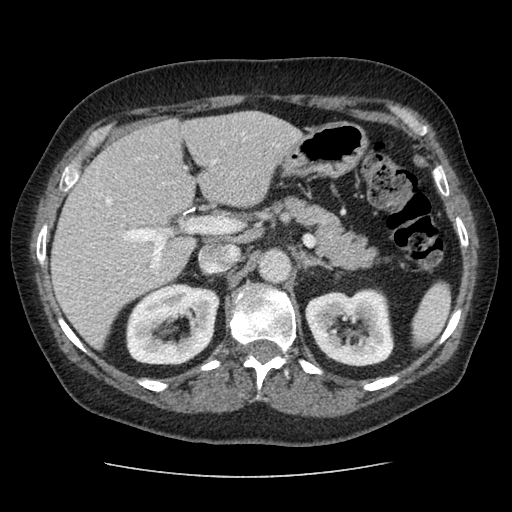
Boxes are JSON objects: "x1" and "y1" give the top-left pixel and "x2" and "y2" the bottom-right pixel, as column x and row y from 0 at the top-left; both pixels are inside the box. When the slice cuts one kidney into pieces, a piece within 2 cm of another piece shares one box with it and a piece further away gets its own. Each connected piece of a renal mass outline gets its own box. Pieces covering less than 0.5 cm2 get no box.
Slice 64/96 of a contrast-enhanced abdominal CT in the arterial phase, counting up from the lowest; pixel size 0.689 mm, slice thickness 2.50 mm. Two boxes on this slice (two kidney boxes), listed by box centre from the image's left to its right. (1) Right kidney, box {"x1": 125, "y1": 282, "x2": 219, "y2": 365} (outlined area 6,009 px, about 28.6 cm2). (2) Box {"x1": 305, "y1": 288, "x2": 394, "y2": 366}: left kidney (outlined area 5,510 px, about 26.2 cm2). This slice carries no renal mass outline.
Scan settings: 120 kVp, STANDARD reconstruction kernel.